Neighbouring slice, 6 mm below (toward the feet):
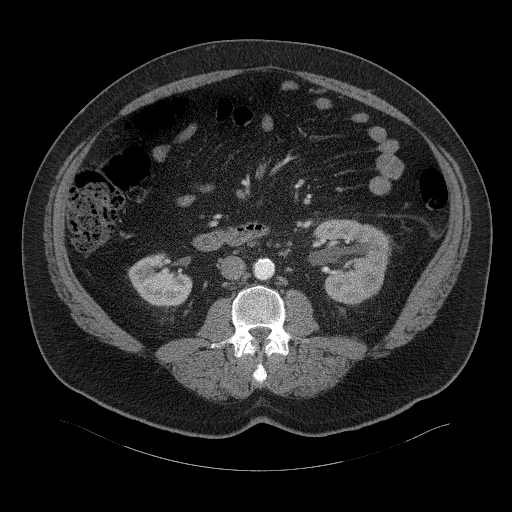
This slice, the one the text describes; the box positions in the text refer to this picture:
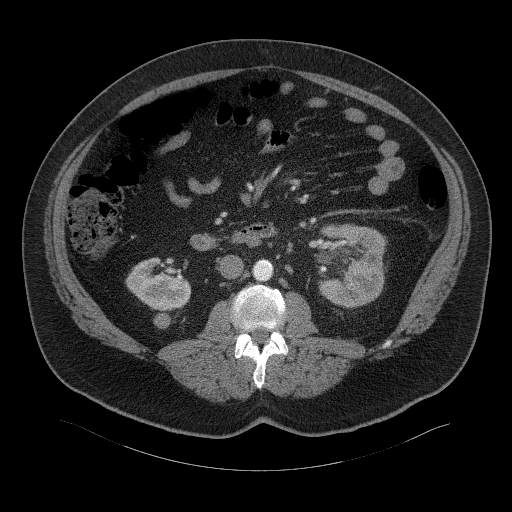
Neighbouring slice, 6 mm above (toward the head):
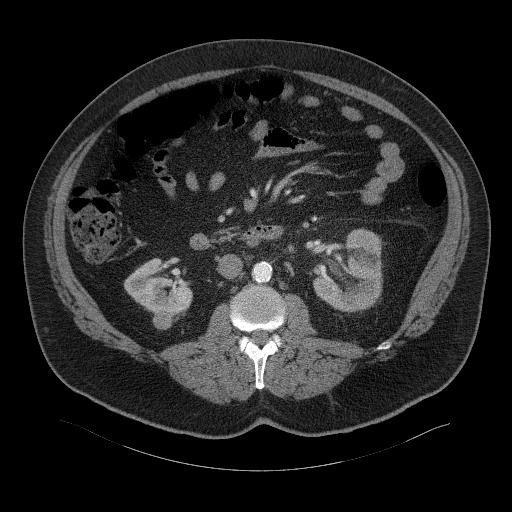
One axial slice (22 of 94, counting up from the lowest) of a contrast-enhanced abdominal CT acquired with 120 kVp, kernel B41f; each pixel is 0.977 mm and the slice is 3.00 mm thick.
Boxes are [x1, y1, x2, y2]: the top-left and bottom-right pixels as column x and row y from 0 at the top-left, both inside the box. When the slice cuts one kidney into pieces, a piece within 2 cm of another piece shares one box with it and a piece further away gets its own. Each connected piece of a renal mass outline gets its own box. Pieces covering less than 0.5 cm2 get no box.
Two kidney boxes and one renal mass box on this slice; by box centre, from the image's left to its right: (1) Right kidney, box [125, 257, 191, 311] (outlined area 2,453 px, about 23.4 cm2). (2) Right renal mass at [153, 312, 170, 328] (outlined area 228 px, about 2.2 cm2). (3) Box [318, 224, 387, 308]: left kidney (outlined area 4,824 px, about 46.0 cm2). This slice lies near the end of the right renal mass toward the feet; the slices 6 mm below and 6 mm above it are shown too, and the boxes mark positions on this slice only.